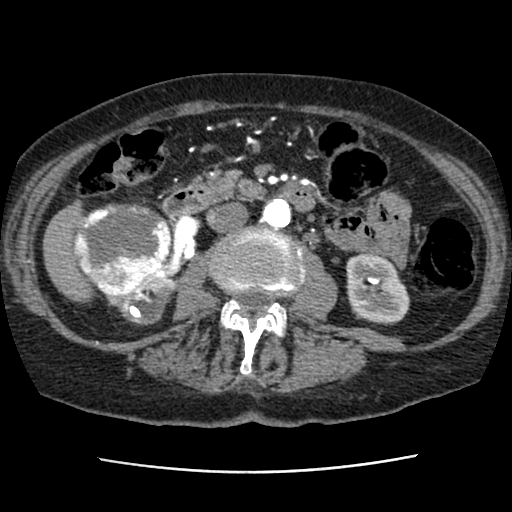
Contrast-enhanced abdominal CT, axial slice 39 of 76 (counted from the lowest slice); tube voltage 120 kVp, convolution kernel STANDARD; slices 2.50 mm thick, 0.586 mm per pixel.
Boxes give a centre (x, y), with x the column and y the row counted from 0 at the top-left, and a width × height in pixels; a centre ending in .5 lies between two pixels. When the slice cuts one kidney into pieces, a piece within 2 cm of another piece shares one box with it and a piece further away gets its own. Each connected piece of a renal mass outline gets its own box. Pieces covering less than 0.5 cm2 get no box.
Two kidney boxes and one renal mass box on this slice; by box centre, from the image's left to its right: (1) Right renal mass in a box with centre (121, 249.5), 99 × 94 pixels (outlined area 7,000 px, about 24.0 cm2). (2) Right kidney in a box with centre (140, 295), 71 × 61 pixels (outlined area 2,105 px, about 7.2 cm2). (3) Box centre (376.5, 288.5), 64 × 72 pixels: left kidney (outlined area 3,538 px, about 12.1 cm2).